Arterial-phase contrast-enhanced abdominal CT, axial slice 83 of 470 (counted from the lowest slice); tube voltage 120 kVp, convolution kernel I26f; slices 1.00 mm thick, 0.938 mm per pixel.
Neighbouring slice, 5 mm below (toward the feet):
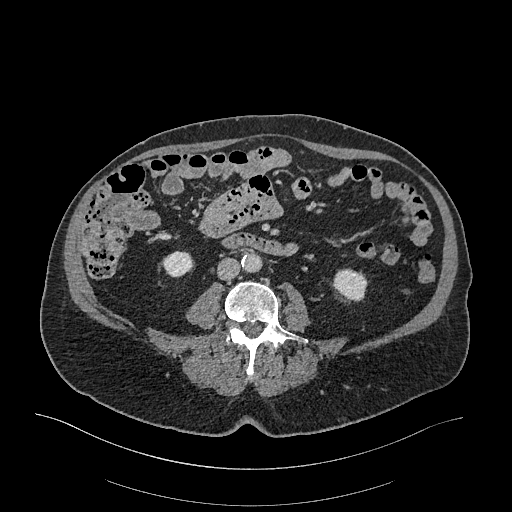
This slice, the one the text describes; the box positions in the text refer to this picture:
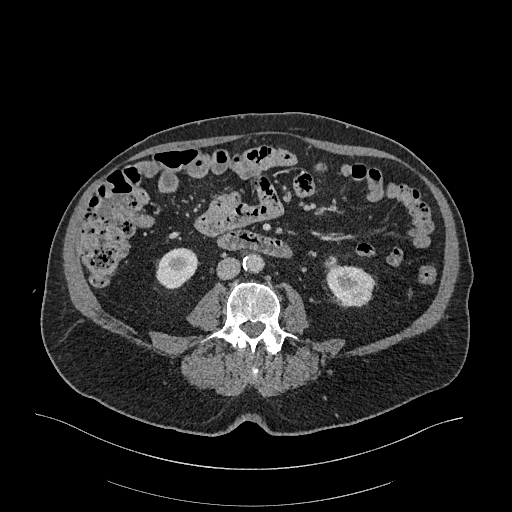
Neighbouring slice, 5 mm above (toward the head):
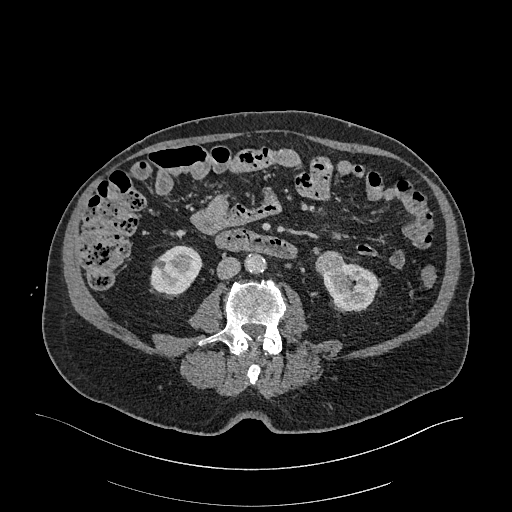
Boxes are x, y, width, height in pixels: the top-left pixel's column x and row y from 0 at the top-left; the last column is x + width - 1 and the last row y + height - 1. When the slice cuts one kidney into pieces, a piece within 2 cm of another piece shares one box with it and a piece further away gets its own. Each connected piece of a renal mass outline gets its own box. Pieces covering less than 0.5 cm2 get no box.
Three boxes on this slice (two kidney boxes and one renal mass box), listed by box centre from the image's left to its right. (1) Right kidney, box x 156, y 247, width 43, height 43 (outlined area 1,331 px, about 11.7 cm2). (2) Box x 324, y 255, width 13, height 13: left renal mass (outlined area 97 px, about 0.9 cm2). (3) Left kidney, box x 325, y 260, width 51, height 49 (outlined area 1,706 px, about 15.0 cm2). This slice lies near the end of the left renal mass toward the feet; the slices 5 mm below and 5 mm above it are shown too, and the boxes mark positions on this slice only.